Abdominal CT with intravenous contrast, arterial phase, axial plane, 120 kVp, kernel I30f. Slice 502/705 from the bottom of the scan; thickness 1.00 mm; pixel size 0.703 mm.
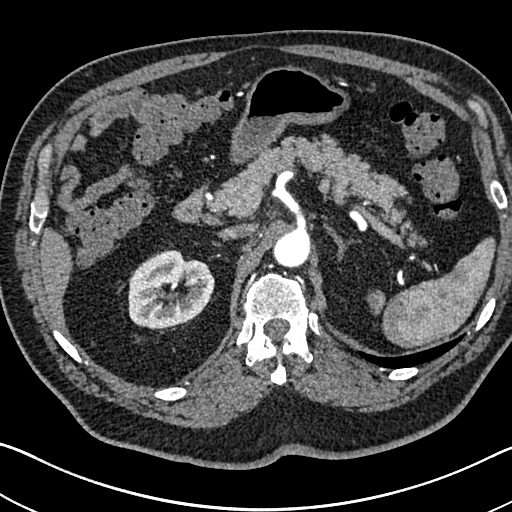
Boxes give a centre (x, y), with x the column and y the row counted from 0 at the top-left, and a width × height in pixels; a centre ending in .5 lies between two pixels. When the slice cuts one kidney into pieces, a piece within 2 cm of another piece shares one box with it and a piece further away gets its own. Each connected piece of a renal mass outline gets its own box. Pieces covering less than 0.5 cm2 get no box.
Box centre (171, 290), 87 × 81 pixels: right kidney (outlined area 5,164 px, about 25.5 cm2). No renal mass outline on this slice.